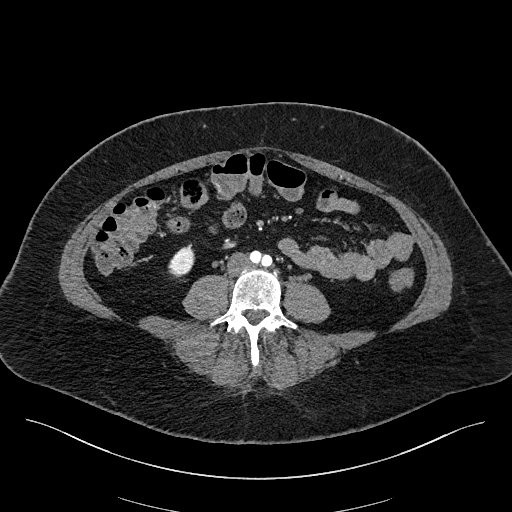
One axial slice (43 of 270, counting up from the lowest) of an arterial-phase abdominal CT acquired with 100 kVp, kernel I40f; each pixel is 0.855 mm and the slice is 2.00 mm thick.
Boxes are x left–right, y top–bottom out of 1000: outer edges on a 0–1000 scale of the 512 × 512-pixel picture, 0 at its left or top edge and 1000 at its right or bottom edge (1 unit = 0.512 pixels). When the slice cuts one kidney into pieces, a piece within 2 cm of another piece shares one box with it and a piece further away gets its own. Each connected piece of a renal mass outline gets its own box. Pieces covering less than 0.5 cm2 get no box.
Right kidney at x 328–381, y 477–543 out of 1000 (outlined area 619 px, about 4.5 cm2). No renal mass outline on this slice.